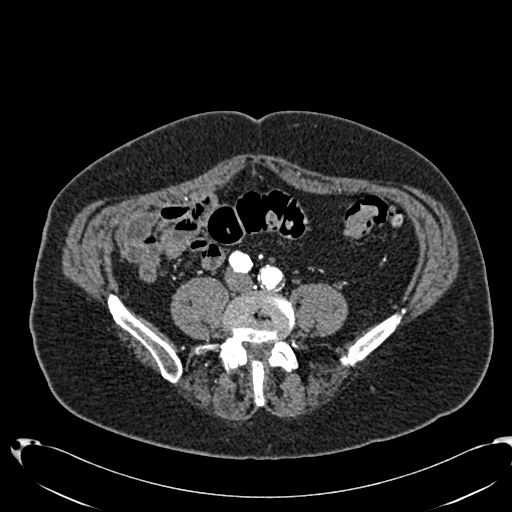
One axial slice (205 of 553, counting up from the lowest) of an arterial-phase abdominal CT acquired with 120 kVp, kernel B20f; each pixel is 0.773 mm and the slice is 1.00 mm thick.
Neither a kidney nor a renal mass is outlined here. Only kidneys and renal masses are outlined anywhere in this scan; other structures are never outlined.